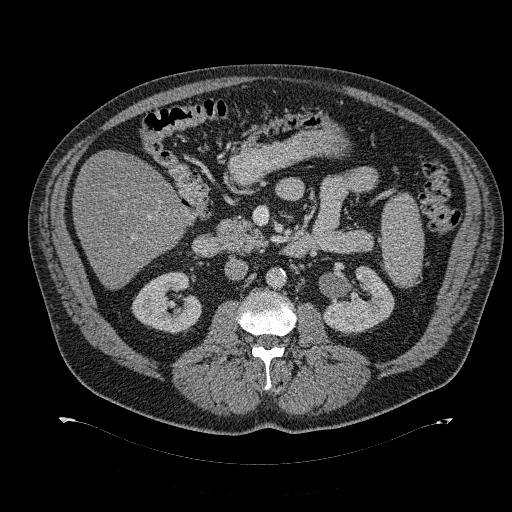
Axial slice 179 of 274 of a contrast-enhanced abdominal CT (slice 1 is the lowest), 120 kVp, kernel B31f; 2.00 mm slice thickness and 0.977 mm pixels.
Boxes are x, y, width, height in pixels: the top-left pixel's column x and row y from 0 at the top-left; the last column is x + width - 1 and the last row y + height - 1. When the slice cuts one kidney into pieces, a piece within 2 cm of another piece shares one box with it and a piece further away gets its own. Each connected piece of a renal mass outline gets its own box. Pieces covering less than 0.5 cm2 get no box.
Boxed on this slice (two kidney boxes), listed by box centre from the image's left to its right: (1) Right kidney at x 131, y 272, width 71, height 62 (outlined area 3,040 px, about 29.0 cm2). (2) Box x 323, y 266, width 72, height 70: left kidney (outlined area 3,141 px, about 30.0 cm2). No renal mass outline on this slice.